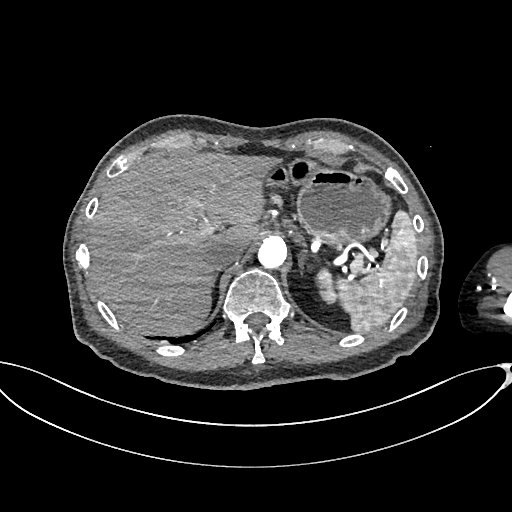
Axial slice 519 of 665 of a contrast-enhanced abdominal CT in the arterial phase (slice 1 is the lowest), 100 kVp, kernel I26f; 1.00 mm slice thickness and 0.828 mm pixels.
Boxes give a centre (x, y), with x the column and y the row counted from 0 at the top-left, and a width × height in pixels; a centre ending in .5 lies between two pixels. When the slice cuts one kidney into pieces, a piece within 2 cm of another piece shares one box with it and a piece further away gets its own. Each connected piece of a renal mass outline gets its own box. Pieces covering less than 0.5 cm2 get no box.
Left kidney in a box with centre (326, 285.5), 23 × 38 pixels (outlined area 563 px, about 3.9 cm2). No renal mass outline on this slice.